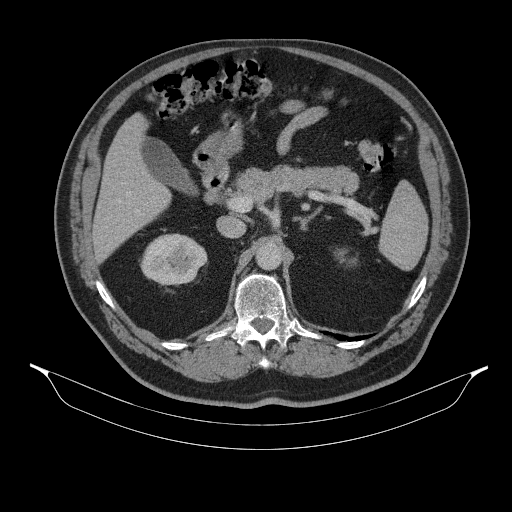
Contrast-enhanced abdominal CT, axial slice 225 of 314 (counted from the lowest slice); tube voltage 130 kVp, convolution kernel B31s; slices 2.50 mm thick, 0.934 mm per pixel.
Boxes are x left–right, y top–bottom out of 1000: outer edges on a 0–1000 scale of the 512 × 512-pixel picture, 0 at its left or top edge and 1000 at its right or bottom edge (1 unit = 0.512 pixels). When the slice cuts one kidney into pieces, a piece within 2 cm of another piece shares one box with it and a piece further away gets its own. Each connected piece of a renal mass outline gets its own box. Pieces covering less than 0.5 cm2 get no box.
Boxed on this slice (two kidney boxes), listed by box centre from the image's left to its right: (1) Right kidney, box x 273–406, y 455–559 out of 1000 (outlined area 2,679 px, about 23.4 cm2). (2) Box x 652–693, y 486–521 out of 1000: left kidney (outlined area 185 px, about 1.6 cm2). No renal mass is outlined on this slice.